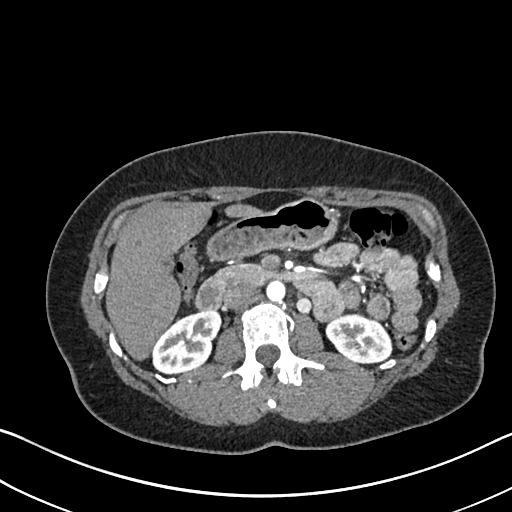
One axial slice (405 of 612, counting up from the lowest) of an arterial-phase abdominal CT acquired with 120 kVp, kernel I30f; each pixel is 0.703 mm and the slice is 1.00 mm thick.
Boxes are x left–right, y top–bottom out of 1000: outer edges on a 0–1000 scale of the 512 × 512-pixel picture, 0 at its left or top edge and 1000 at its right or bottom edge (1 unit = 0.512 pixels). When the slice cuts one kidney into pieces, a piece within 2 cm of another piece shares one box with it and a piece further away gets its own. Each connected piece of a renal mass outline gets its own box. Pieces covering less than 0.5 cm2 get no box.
Two boxes on this slice (two kidney boxes), listed by box centre from the image's left to its right. (1) Right kidney, box x 297–434, y 604–732 out of 1000 (outlined area 3,051 px, about 15.1 cm2). (2) Box x 635–768, y 611–711 out of 1000: left kidney (outlined area 2,523 px, about 12.5 cm2). No renal mass is outlined on this slice.